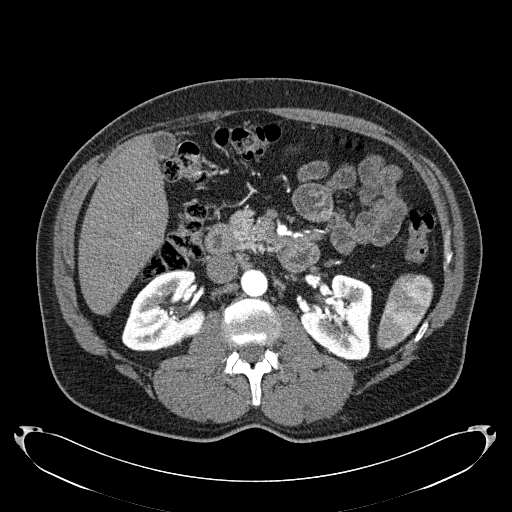
Abdominal CT with intravenous contrast, arterial phase, axial plane, 120 kVp, kernel B31f. Slice 119/279 from the bottom of the scan; thickness 2.00 mm; pixel size 0.824 mm.
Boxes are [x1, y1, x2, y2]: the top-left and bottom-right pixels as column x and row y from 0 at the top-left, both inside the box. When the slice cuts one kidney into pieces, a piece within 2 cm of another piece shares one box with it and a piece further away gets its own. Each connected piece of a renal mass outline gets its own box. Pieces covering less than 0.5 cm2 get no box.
Two boxes on this slice (two kidney boxes), listed by box centre from the image's left to its right. (1) Box [121, 268, 207, 351]: right kidney (outlined area 5,033 px, about 34.2 cm2). (2) Left kidney at [300, 274, 372, 360] (outlined area 4,629 px, about 31.4 cm2). No renal mass is outlined on this slice.